Abdominal CT with intravenous contrast, axial plane, 120 kVp, kernel B30f. Slice 24/48 from the bottom of the scan; thickness 5.00 mm; pixel size 0.736 mm.
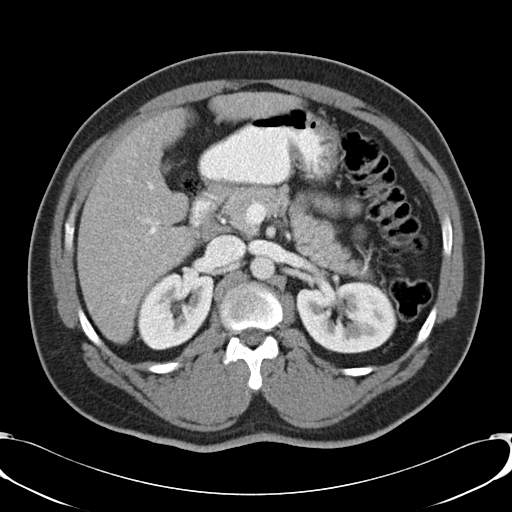
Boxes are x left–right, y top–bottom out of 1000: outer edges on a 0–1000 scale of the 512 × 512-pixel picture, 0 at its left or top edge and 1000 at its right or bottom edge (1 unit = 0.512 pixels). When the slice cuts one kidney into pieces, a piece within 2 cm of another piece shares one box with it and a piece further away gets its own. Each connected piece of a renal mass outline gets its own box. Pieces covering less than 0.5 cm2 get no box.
Two kidney boxes on this slice; by box centre, from the image's left to its right: (1) Box x 268–418, y 531–686 out of 1000: right kidney (outlined area 4,520 px, about 24.5 cm2). (2) Box x 578–775, y 551–691 out of 1000: left kidney (outlined area 5,741 px, about 31.1 cm2). No renal mass outline on this slice.